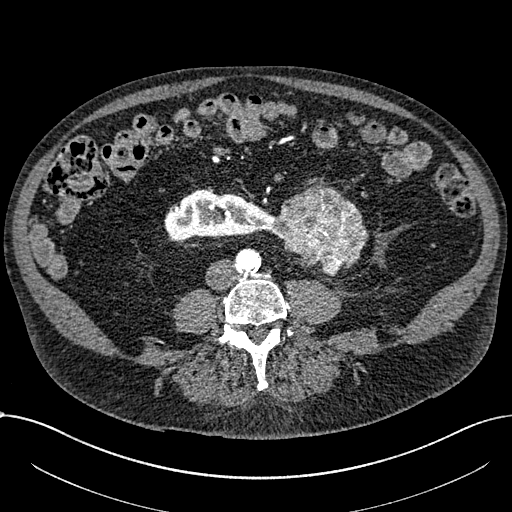
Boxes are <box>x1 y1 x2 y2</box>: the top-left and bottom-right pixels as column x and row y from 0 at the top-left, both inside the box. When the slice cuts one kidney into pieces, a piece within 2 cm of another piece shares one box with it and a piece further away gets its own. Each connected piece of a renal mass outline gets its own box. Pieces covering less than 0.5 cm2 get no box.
This is axial slice 252 of 1059 (slice 1 is the lowest) of an arterial-phase abdominal CT with contrast; each pixel is 0.811 mm and the slice is 1.00 mm thick. Boxed on this slice (one kidney box and one renal mass box), listed by box centre from the image's left to its right: (1) At <box>164 189 273 240</box>: right part of the midline-crossing kidney (outlined area 3,978 px, about 26.1 cm2). (2) Renal mass at <box>270 182 368 276</box> (outlined area 6,027 px, about 39.6 cm2).
Scan settings: 100 kVp, I30f reconstruction kernel.